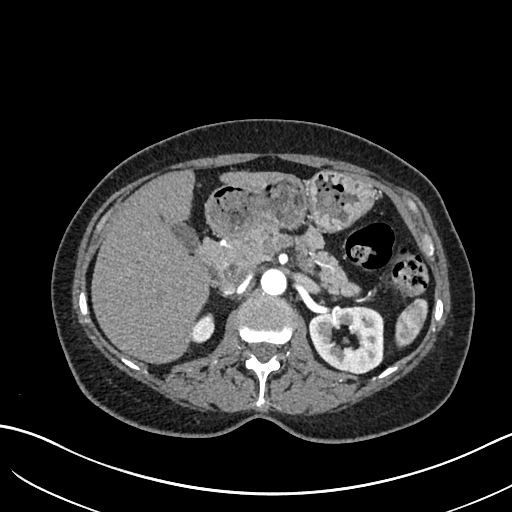
Arterial-phase contrast-enhanced abdominal CT, axial slice 419 of 683 (counted from the lowest slice); tube voltage 120 kVp, convolution kernel I30f; slices 1.00 mm thick, 0.738 mm per pixel.
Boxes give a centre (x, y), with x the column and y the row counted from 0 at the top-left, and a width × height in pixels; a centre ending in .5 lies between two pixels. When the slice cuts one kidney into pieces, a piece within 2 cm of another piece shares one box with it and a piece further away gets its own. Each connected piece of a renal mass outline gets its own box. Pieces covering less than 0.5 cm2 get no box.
Boxed on this slice (two kidney boxes), listed by box centre from the image's left to its right: (1) Box centre (202.5, 328), 24 × 31 pixels: right kidney (outlined area 543 px, about 3.0 cm2). (2) Box centre (345.5, 340), 76 × 69 pixels: left kidney (outlined area 3,840 px, about 20.9 cm2). No renal mass is outlined on this slice.